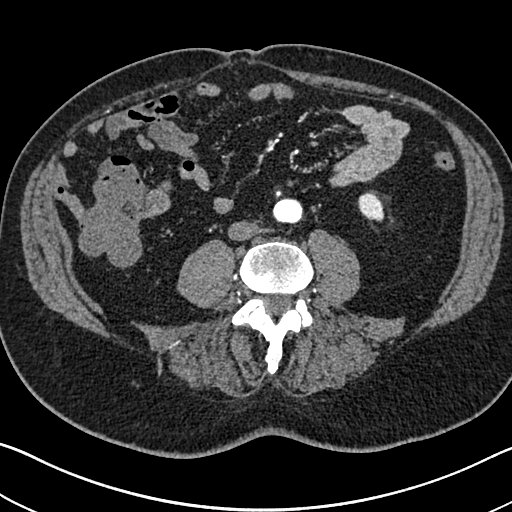
One axial slice (272 of 705, counting up from the lowest) of an arterial-phase abdominal CT acquired with 120 kVp, kernel I30f; each pixel is 0.703 mm and the slice is 1.00 mm thick.
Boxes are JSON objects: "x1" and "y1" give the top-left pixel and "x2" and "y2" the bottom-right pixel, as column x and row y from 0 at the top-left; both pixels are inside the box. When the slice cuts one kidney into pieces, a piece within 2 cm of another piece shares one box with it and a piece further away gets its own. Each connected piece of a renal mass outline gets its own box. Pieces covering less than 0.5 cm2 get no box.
Box {"x1": 357, "y1": 192, "x2": 384, "y2": 221}: left kidney (outlined area 594 px, about 2.9 cm2). No renal mass is outlined on this slice.